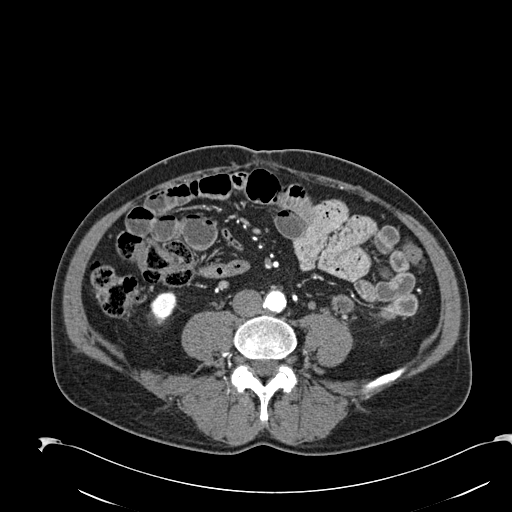
Axial slice 41 of 274 of a contrast-enhanced abdominal CT in the arterial phase (slice 1 is the lowest), 120 kVp, kernel B30f; 2.00 mm slice thickness and 0.809 mm pixels.
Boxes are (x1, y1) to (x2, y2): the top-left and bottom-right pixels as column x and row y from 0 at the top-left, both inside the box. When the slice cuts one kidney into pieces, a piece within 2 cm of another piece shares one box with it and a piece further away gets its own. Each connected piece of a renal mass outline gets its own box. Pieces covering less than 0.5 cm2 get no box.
Right kidney, box (150, 292) to (177, 325) (outlined area 668 px, about 4.4 cm2). No renal mass is outlined on this slice.